Abdominal CT with intravenous contrast, arterial phase, axial plane, 120 kVp, kernel B20f. Slice 351/634 from the bottom of the scan; thickness 1.00 mm; pixel size 0.838 mm.
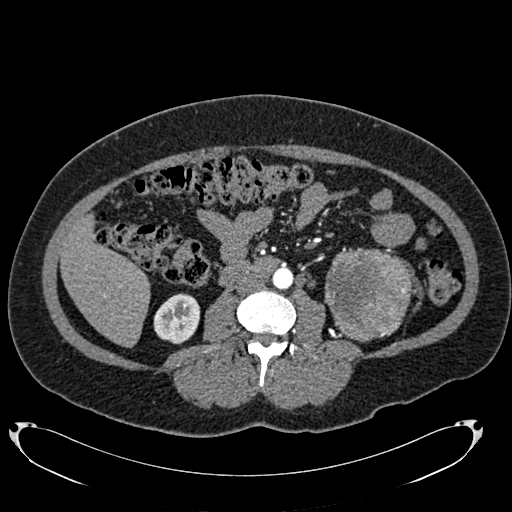
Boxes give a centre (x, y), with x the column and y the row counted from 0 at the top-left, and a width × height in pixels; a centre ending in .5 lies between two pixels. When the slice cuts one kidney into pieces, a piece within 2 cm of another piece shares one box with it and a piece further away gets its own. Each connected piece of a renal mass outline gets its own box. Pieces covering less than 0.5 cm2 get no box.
Two boxes on this slice (one kidney box and one renal mass box), listed by box centre from the image's left to its right. (1) Right kidney, box centre (176.5, 318.5), 48 × 52 pixels (outlined area 1,831 px, about 12.9 cm2). (2) Left renal mass in a box with centre (369, 295), 91 × 95 pixels (outlined area 6,559 px, about 46.0 cm2); here it is more than 1 cm from any kidney outline, though on another slice the same outlined renal mass lies within 1 cm of the kidney.